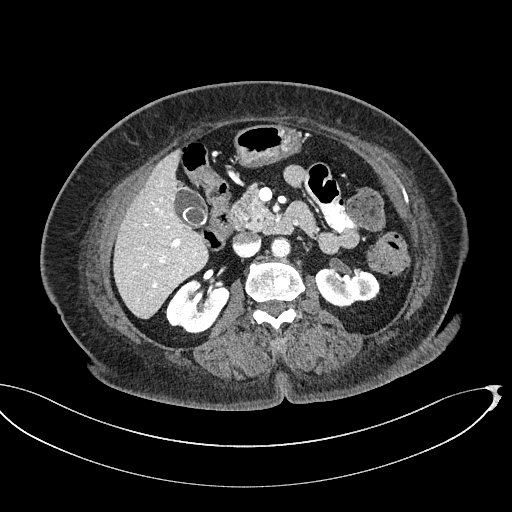
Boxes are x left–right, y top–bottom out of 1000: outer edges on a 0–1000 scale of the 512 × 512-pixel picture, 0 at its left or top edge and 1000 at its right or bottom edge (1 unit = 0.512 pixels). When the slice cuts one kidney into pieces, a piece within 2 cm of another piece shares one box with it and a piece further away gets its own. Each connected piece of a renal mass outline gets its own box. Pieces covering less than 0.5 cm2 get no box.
This is axial slice 299 of 439 (slice 1 is the lowest) of an abdominal CT with contrast; each pixel is 0.850 mm and the slice is 2.00 mm thick. Two boxes on this slice (two kidney boxes), listed by box centre from the image's left to its right. (1) Right kidney, box x 322–449, y 545–654 out of 1000 (outlined area 2,417 px, about 17.4 cm2). (2) Box x 615–742, y 521–604 out of 1000: left kidney (outlined area 2,029 px, about 14.6 cm2). This slice carries no renal mass outline.
Acquired at 100 kVp and reconstructed with the I40f kernel.